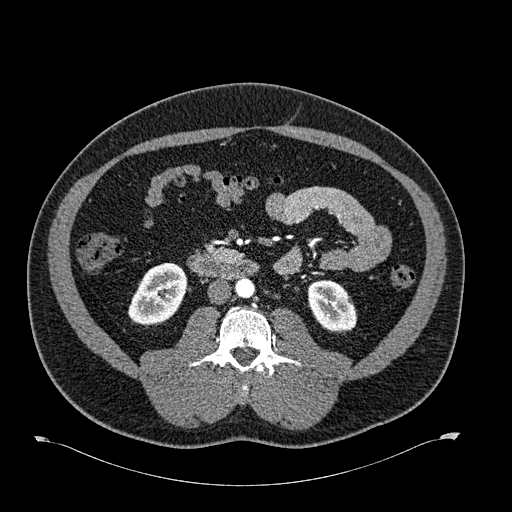
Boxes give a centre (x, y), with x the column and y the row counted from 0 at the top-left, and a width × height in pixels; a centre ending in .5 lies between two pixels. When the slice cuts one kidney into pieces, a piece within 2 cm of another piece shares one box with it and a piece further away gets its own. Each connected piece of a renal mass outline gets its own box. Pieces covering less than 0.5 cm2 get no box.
This is axial slice 301 of 723 (slice 1 is the lowest) of an arterial-phase abdominal CT with contrast; each pixel is 0.895 mm and the slice is 1.00 mm thick. Two kidney boxes on this slice; by box centre, from the image's left to its right: (1) Right kidney, box centre (157.5, 293.5), 60 × 64 pixels (outlined area 2,706 px, about 21.7 cm2). (2) Left kidney, box centre (331.5, 306), 50 × 53 pixels (outlined area 1,991 px, about 15.9 cm2). This slice carries no renal mass outline.
Scan settings: 120 kVp, B30f reconstruction kernel.